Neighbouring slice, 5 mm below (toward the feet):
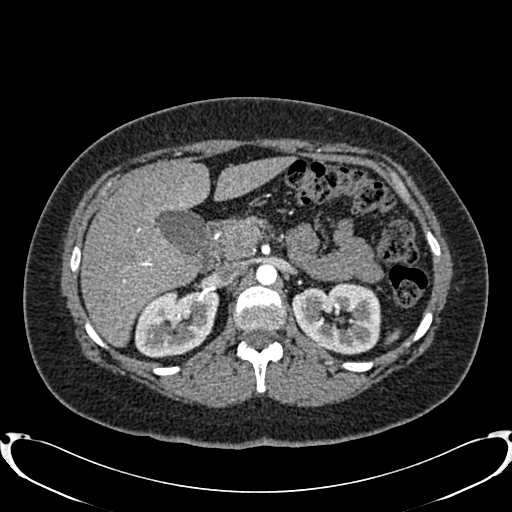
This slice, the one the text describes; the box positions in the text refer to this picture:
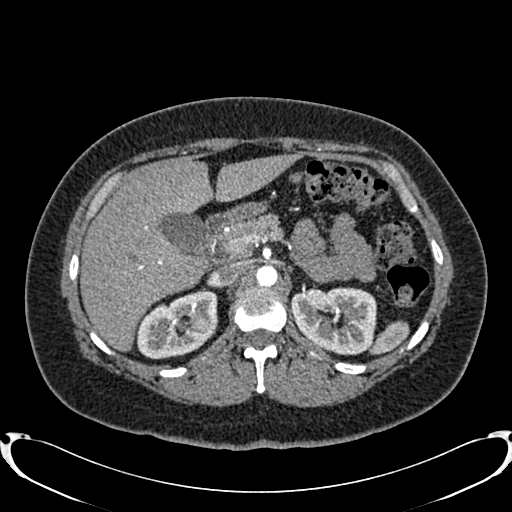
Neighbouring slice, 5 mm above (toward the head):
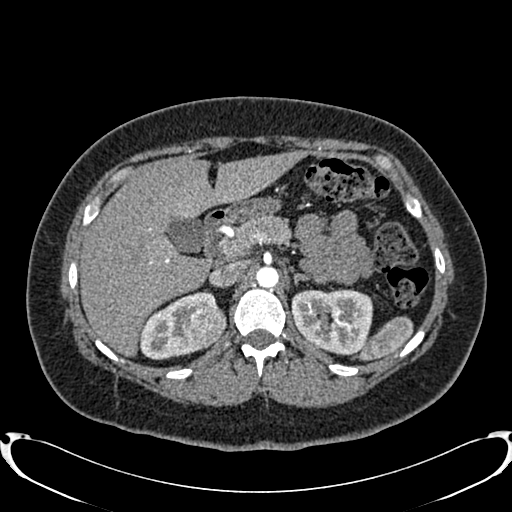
One axial slice (541 of 719, counting up from the lowest) of an arterial-phase abdominal CT acquired with 120 kVp, kernel B20f; each pixel is 0.766 mm and the slice is 1.00 mm thick.
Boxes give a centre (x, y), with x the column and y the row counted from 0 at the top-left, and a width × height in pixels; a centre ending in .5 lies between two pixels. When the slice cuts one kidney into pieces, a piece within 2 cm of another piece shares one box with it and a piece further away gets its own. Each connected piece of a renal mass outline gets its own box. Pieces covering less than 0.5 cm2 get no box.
Two kidney boxes and one renal mass box on this slice; by box centre, from the image's left to its right: (1) Right kidney, box centre (176, 323.5), 83 × 72 pixels (outlined area 3,877 px, about 22.7 cm2). (2) Box centre (208.5, 327), 20 × 19 pixels: right renal mass (outlined area 283 px, about 1.7 cm2). (3) Left kidney in a box with centre (333, 321), 87 × 69 pixels (outlined area 4,679 px, about 27.4 cm2). This slice is near the end of the right renal mass toward the feet, so the slices 5 mm below and 5 mm above it are shown as well; the boxes refer to this slice only.